Abdominal CT with intravenous contrast, arterial phase, axial plane, 120 kVp, kernel I30f. Slice 540/735 from the bottom of the scan; thickness 1.00 mm; pixel size 0.789 mm.
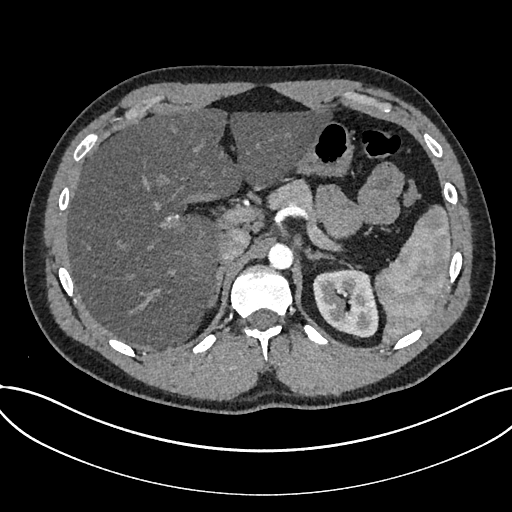
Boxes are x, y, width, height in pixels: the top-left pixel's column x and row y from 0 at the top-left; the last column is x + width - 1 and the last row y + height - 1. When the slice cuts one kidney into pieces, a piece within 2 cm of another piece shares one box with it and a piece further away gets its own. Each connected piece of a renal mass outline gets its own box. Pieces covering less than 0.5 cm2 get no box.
Kidney at x 312, y 269, width 67, height 69 (outlined area 3,506 px, about 21.8 cm2). This slice carries no renal mass outline.